Abdominal CT with intravenous contrast, axial plane, 120 kVp, kernel B41f. Slice 83/146 from the bottom of the scan; thickness 5.00 mm; pixel size 0.840 mm.
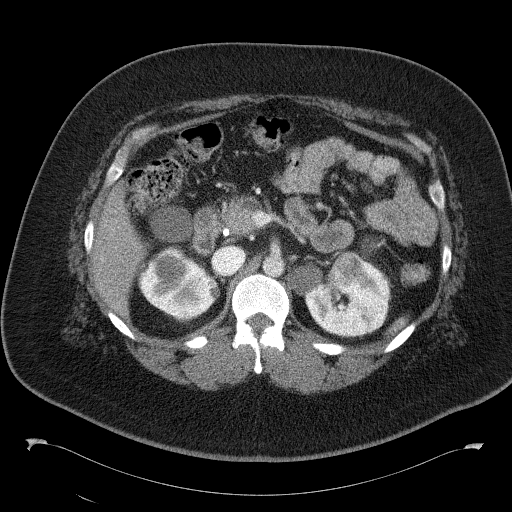
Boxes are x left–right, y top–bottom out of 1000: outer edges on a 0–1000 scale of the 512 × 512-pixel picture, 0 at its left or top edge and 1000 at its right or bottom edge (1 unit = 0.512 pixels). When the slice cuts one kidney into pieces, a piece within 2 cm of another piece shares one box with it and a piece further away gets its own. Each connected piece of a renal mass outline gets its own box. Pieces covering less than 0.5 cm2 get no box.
Two kidney boxes and two renal mass boxes on this slice; by box centre, from the image's left to its right: (1) Kidney at x 270–430, y 398–629 out of 1000 (outlined area 5,298 px, about 37.4 cm2). (2) Renal mass, box x 625–666, y 559–596 out of 1000 (outlined area 304 px, about 2.1 cm2). (3) Box x 559–762, y 510–658 out of 1000: kidney (outlined area 4,701 px, about 33.2 cm2). (4) Renal mass, box x 639–740, y 463–564 out of 1000 (outlined area 1,207 px, about 8.5 cm2).